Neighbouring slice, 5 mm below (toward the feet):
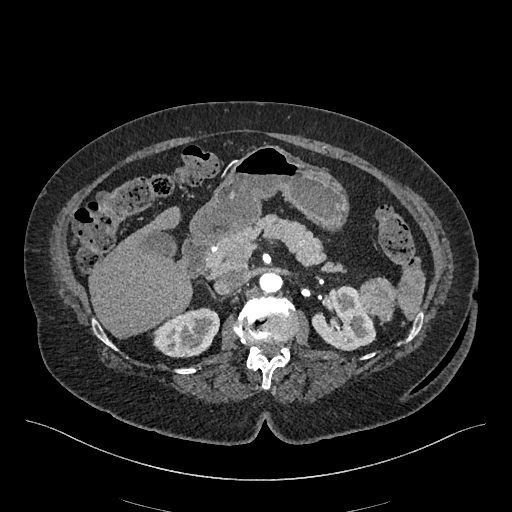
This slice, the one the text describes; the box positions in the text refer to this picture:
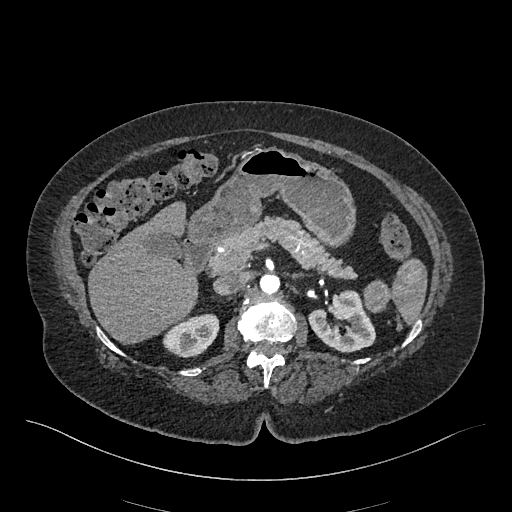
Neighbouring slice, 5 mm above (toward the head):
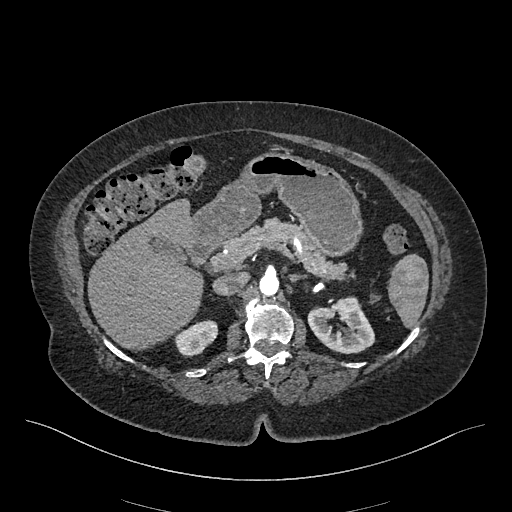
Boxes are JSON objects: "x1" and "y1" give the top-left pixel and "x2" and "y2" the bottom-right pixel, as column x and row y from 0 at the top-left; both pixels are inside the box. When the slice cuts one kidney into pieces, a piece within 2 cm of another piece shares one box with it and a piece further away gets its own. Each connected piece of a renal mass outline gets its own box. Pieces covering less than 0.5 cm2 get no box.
Slice 297/548 of a contrast-enhanced abdominal CT in the arterial phase, counting up from the lowest; pixel size 0.852 mm, slice thickness 1.00 mm. Two kidney boxes and one renal mass box on this slice; by box centre, from the image's left to its right: (1) Right kidney, box {"x1": 162, "y1": 313, "x2": 219, "y2": 357} (outlined area 1,805 px, about 13.1 cm2). (2) Left kidney, box {"x1": 308, "y1": 290, "x2": 375, "y2": 352} (outlined area 2,829 px, about 20.5 cm2). (3) Box {"x1": 363, "y1": 279, "x2": 390, "y2": 313}: left renal mass (outlined area 707 px, about 5.1 cm2). This slice lies near the end of the left renal mass toward the head; the slices 5 mm below and 5 mm above it are shown too, and the boxes mark positions on this slice only.
Acquired at 120 kVp and reconstructed with the I26f kernel.